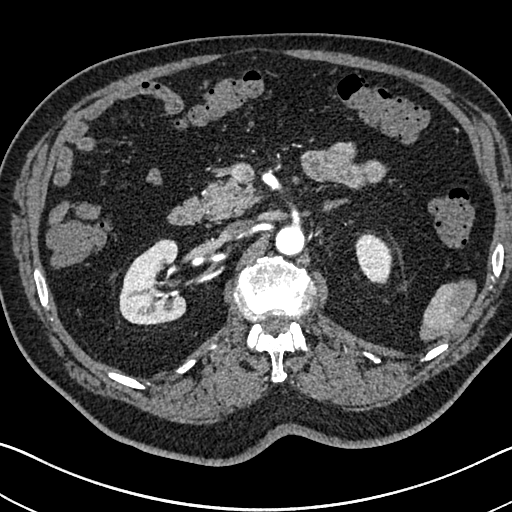
One axial slice (458 of 705, counting up from the lowest) of an arterial-phase abdominal CT acquired with 120 kVp, kernel I30f; each pixel is 0.703 mm and the slice is 1.00 mm thick.
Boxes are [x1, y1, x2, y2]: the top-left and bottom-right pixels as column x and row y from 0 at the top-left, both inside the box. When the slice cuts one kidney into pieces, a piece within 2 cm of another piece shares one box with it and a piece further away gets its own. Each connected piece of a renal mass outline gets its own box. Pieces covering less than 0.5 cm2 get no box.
Boxed on this slice (two kidney boxes), listed by box centre from the image's left to its right: (1) Right kidney, box [119, 239, 185, 325] (outlined area 4,169 px, about 20.6 cm2). (2) Left kidney, box [355, 231, 392, 284] (outlined area 1,453 px, about 7.2 cm2). No renal mass is outlined on this slice.